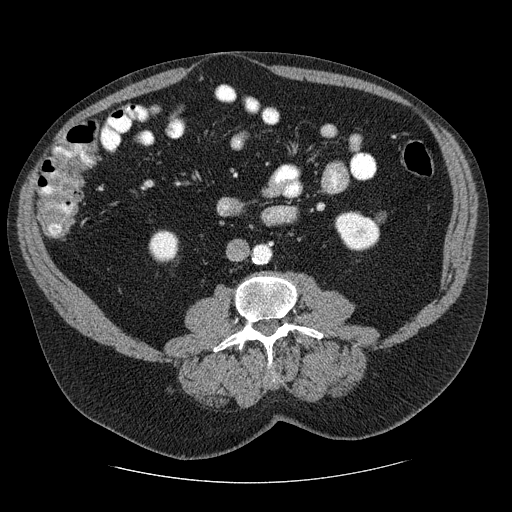
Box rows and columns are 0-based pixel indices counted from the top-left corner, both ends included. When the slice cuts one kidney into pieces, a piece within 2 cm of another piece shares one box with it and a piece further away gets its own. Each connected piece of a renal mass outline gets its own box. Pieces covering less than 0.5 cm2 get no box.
This is axial slice 110 of 206 (slice 1 is the lowest) of an abdominal CT with contrast; each pixel is 0.879 mm and the slice is 2.50 mm thick. Two kidney boxes on this slice; by box centre, from the image's left to its right: (1) Right kidney at rows 230–262, columns 148–179 (outlined area 828 px, about 6.4 cm2). (2) Box rows 211–251, columns 334–380: left kidney (outlined area 1,398 px, about 10.8 cm2). No renal mass is outlined on this slice.
Scan settings: 120 kVp, STANDARD reconstruction kernel.